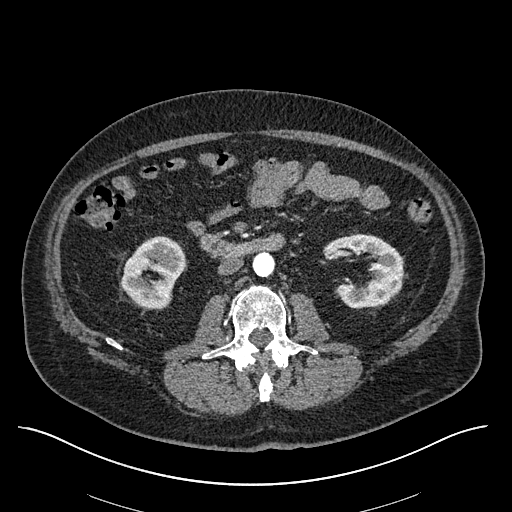
Abdominal CT with intravenous contrast, arterial phase, axial plane, 120 kVp, kernel I30f. Slice 290/670 from the bottom of the scan; thickness 1.00 mm; pixel size 0.861 mm.
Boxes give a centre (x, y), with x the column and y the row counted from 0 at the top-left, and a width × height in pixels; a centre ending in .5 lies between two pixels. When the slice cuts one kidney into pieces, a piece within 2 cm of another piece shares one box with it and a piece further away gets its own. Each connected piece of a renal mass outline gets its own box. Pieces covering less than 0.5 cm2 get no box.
Two boxes on this slice (two kidney boxes), listed by box centre from the image's left to its right. (1) Box centre (153.5, 272.5), 66 × 74 pixels: right kidney (outlined area 3,329 px, about 24.7 cm2). (2) Box centre (367.5, 270.5), 72 × 76 pixels: left kidney (outlined area 3,619 px, about 26.8 cm2).